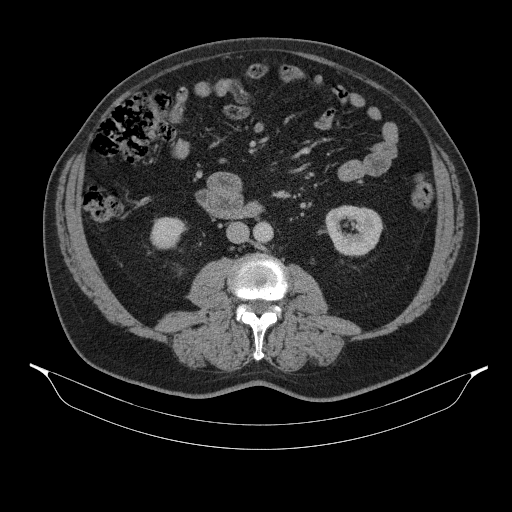
Abdominal CT with intravenous contrast, axial plane, 130 kVp, kernel B31s. Slice 175/314 from the bottom of the scan; thickness 2.50 mm; pixel size 0.934 mm.
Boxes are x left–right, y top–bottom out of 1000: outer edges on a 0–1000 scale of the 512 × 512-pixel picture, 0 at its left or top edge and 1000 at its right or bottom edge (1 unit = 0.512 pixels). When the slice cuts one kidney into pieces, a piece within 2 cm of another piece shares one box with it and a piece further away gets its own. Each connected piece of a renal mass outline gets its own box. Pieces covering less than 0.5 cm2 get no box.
Two kidney boxes on this slice; by box centre, from the image's left to its right: (1) Box x 293–363, y 424–488 out of 1000: right kidney (outlined area 899 px, about 7.8 cm2). (2) Left kidney, box x 635–750, y 400–502 out of 1000 (outlined area 2,297 px, about 20.0 cm2).